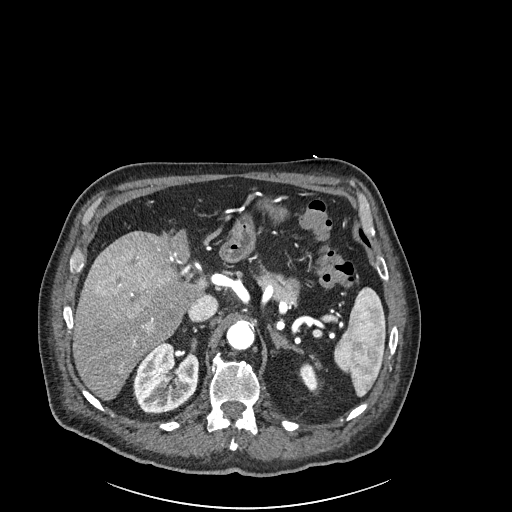
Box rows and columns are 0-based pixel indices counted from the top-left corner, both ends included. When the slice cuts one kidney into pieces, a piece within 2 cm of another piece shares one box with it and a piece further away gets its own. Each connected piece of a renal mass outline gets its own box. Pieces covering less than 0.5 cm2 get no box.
Slice 164/261 of a contrast-enhanced abdominal CT in the arterial phase, counting up from the lowest; pixel size 0.939 mm, slice thickness 2.00 mm. Two boxes on this slice (two kidney boxes), listed by box centre from the image's left to its right. (1) Right kidney, box rows 341–415, columns 133–199 (outlined area 3,676 px, about 32.4 cm2). (2) Left kidney, box rows 363–389, columns 299–318 (outlined area 366 px, about 3.2 cm2). No renal mass is outlined on this slice.
Tube voltage 120 kVp; convolution kernel I30f.